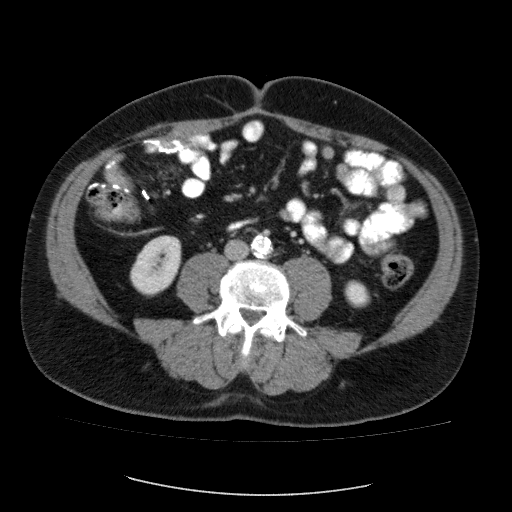
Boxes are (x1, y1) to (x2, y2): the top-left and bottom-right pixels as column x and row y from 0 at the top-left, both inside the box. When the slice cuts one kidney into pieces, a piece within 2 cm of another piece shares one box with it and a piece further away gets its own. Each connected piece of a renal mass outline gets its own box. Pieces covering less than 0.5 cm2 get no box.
Contrast-enhanced abdominal CT, axial slice 42 of 87 (counted from the lowest slice); 5.00 mm thick, 0.812 mm per pixel. Boxed on this slice (two kidney boxes), listed by box centre from the image's left to its right: (1) Box (130, 235) to (181, 296): right kidney (outlined area 2,334 px, about 15.4 cm2). (2) Box (344, 280) to (370, 307): left kidney (outlined area 556 px, about 3.7 cm2). No renal mass outline on this slice.
Tube voltage 120 kVp; convolution kernel FC12.